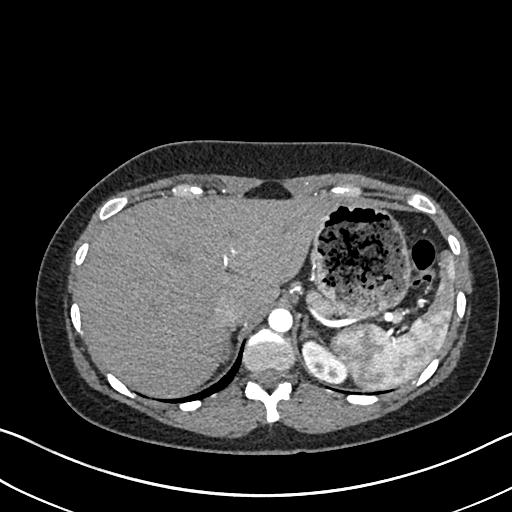
Arterial-phase contrast-enhanced abdominal CT, axial slice 549 of 612 (counted from the lowest slice); tube voltage 120 kVp, convolution kernel I30f; slices 1.00 mm thick, 0.703 mm per pixel.
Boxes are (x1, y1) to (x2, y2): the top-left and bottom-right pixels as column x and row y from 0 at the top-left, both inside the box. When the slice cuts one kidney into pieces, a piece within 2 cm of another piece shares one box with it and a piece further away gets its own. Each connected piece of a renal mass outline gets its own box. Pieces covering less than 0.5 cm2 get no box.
Left kidney, box (301, 340) to (347, 382) (outlined area 1,314 px, about 6.5 cm2). No renal mass is outlined on this slice.